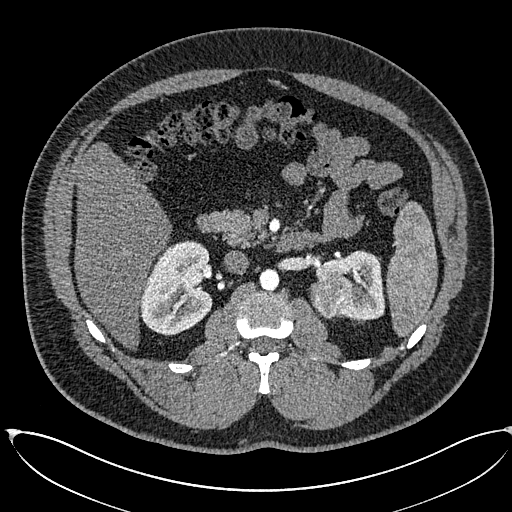
Axial slice 372 of 673 of a contrast-enhanced abdominal CT in the arterial phase (slice 1 is the lowest), 120 kVp, kernel I30f; 1.00 mm slice thickness and 0.855 mm pixels.
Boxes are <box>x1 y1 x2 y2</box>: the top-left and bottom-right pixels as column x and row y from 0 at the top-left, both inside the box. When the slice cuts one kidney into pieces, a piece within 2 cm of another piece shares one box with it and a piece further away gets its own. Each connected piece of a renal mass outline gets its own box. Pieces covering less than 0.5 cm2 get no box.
Two kidney boxes and one renal mass box on this slice; by box centre, from the image's left to its right: (1) Right kidney at <box>140 240 212 335</box> (outlined area 5,229 px, about 38.3 cm2). (2) At <box>309 276 355 319</box>: left renal mass (outlined area 1,550 px, about 11.3 cm2). (3) Left kidney at <box>315 250 385 320</box> (outlined area 2,698 px, about 19.7 cm2).